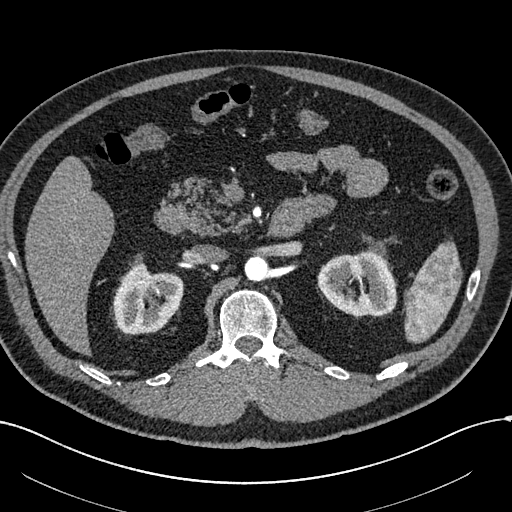
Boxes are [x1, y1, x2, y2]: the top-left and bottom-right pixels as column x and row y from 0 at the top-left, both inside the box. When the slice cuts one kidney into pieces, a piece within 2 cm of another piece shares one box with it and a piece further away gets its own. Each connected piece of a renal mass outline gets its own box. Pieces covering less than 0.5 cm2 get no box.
This is axial slice 380 of 602 (slice 1 is the lowest) of an arterial-phase abdominal CT with contrast; each pixel is 0.799 mm and the slice is 1.00 mm thick. Two kidney boxes on this slice; by box centre, from the image's left to its right: (1) Right kidney at [112, 260, 183, 334] (outlined area 3,804 px, about 24.3 cm2). (2) Box [317, 250, 396, 316]: left kidney (outlined area 4,052 px, about 25.9 cm2). No renal mass outline on this slice.
Scan settings: 120 kVp, I30f reconstruction kernel.